Axial slice 66 of 129 of a contrast-enhanced abdominal CT in the arterial phase (slice 1 is the lowest), 140 kVp, kernel STANDARD; 3.75 mm slice thickness and 0.938 mm pixels.
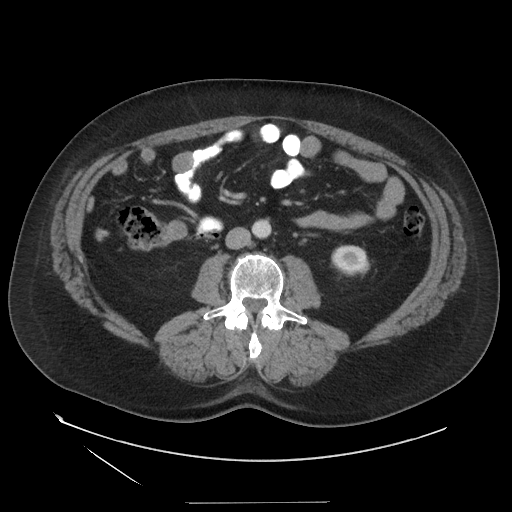
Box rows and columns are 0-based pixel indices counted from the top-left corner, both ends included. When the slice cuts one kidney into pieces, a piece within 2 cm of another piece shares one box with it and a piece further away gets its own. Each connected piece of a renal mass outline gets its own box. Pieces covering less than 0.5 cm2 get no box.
Left kidney, box rows 245–276, columns 331–369 (outlined area 987 px, about 8.7 cm2). No renal mass outline on this slice.